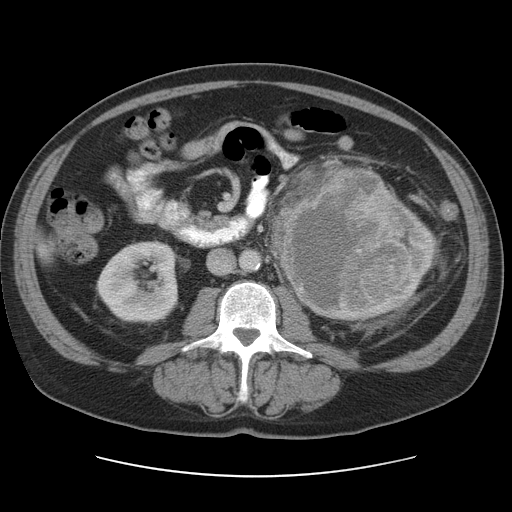
One axial slice (55 of 95, counting up from the lowest) of a contrast-enhanced abdominal CT acquired with 120 kVp, kernel STANDARD; each pixel is 0.781 mm and the slice is 5.00 mm thick.
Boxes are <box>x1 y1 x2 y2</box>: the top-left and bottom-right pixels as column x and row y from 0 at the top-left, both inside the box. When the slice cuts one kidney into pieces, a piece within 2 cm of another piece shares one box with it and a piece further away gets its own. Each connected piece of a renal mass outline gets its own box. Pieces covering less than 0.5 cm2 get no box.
Three boxes on this slice (two kidney boxes and one renal mass box), listed by box centre from the image's left to its right. (1) Right kidney at <box>96 239 178 324</box> (outlined area 5,488 px, about 33.5 cm2). (2) Left renal mass: <box>280 165 400 322</box> (outlined area 14,483 px, about 88.4 cm2). (3) Left kidney: <box>347 187 435 324</box> (outlined area 3,294 px, about 20.1 cm2).